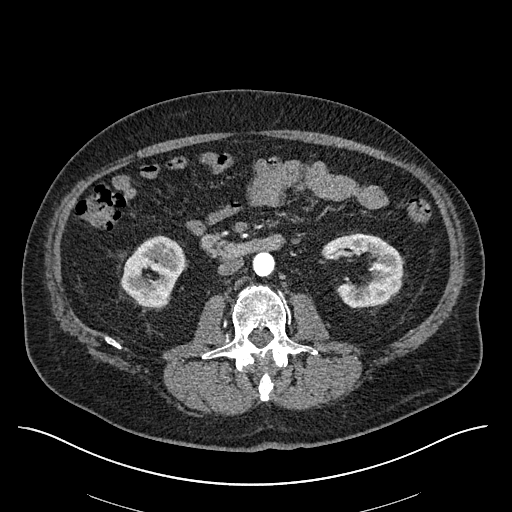
Axial slice 288 of 670 of a contrast-enhanced abdominal CT in the arterial phase (slice 1 is the lowest), 120 kVp, kernel I30f; 1.00 mm slice thickness and 0.861 mm pixels.
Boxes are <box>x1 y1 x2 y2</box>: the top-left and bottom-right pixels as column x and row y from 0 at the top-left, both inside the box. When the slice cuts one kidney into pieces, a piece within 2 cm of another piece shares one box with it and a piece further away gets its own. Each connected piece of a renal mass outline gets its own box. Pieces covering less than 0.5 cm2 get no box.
Two kidney boxes on this slice; by box centre, from the image's left to its right: (1) Right kidney: <box>121 235 185 308</box> (outlined area 3,310 px, about 24.6 cm2). (2) Left kidney: <box>320 233 402 307</box> (outlined area 3,776 px, about 28.0 cm2).